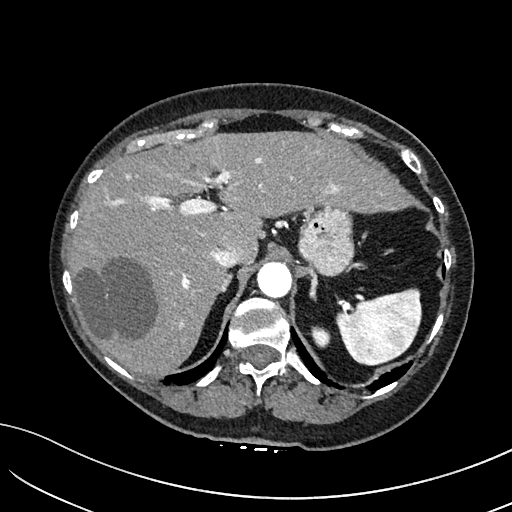
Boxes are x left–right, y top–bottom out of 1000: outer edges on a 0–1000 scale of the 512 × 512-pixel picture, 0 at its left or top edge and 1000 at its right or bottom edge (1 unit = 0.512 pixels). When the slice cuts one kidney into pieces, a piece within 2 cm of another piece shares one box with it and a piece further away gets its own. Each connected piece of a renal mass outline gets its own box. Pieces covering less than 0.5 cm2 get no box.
Arterial-phase contrast-enhanced abdominal CT, axial slice 136 of 234 (counted from the lowest slice); 2.00 mm thick, 0.699 mm per pixel. Left kidney, box x 607–646, y 637–680 out of 1000 (outlined area 329 px, about 1.6 cm2). This slice carries no renal mass outline.
Scan settings: 100 kVp, I40f reconstruction kernel.